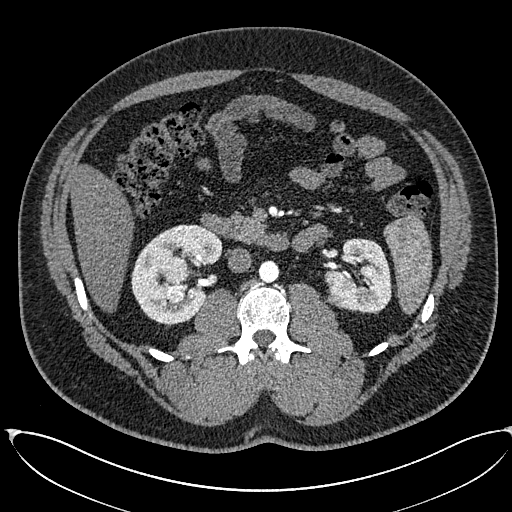
Abdominal CT with intravenous contrast, arterial phase, axial plane, 120 kVp, kernel I30f. Slice 336/673 from the bottom of the scan; thickness 1.00 mm; pixel size 0.855 mm.
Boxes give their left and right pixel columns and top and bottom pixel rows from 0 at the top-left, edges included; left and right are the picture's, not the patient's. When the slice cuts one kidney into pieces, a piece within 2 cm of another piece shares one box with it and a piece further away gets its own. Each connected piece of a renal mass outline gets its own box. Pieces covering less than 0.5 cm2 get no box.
Two kidney boxes and two renal mass boxes on this slice; by box centre, from the image's left to its right: (1) Right renal mass in the box with left 161, top 256, right 190, bottom 303 (outlined area 1,080 px, about 7.9 cm2). (2) Right kidney, the box with left 131, top 224, right 222, bottom 324 (outlined area 5,525 px, about 40.4 cm2). (3) Left renal mass, the box with left 327, top 288, right 350, bottom 308 (outlined area 374 px, about 2.7 cm2). (4) Left kidney in the box with left 324, top 238, right 392, bottom 313 (outlined area 3,520 px, about 25.8 cm2).